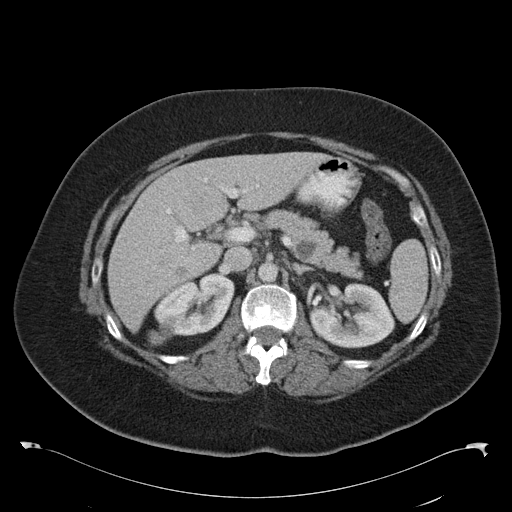
Abdominal CT with intravenous contrast, arterial phase, axial plane, 120 kVp, kernel B30f. Slice 68/97 from the bottom of the scan; thickness 5.00 mm; pixel size 0.824 mm.
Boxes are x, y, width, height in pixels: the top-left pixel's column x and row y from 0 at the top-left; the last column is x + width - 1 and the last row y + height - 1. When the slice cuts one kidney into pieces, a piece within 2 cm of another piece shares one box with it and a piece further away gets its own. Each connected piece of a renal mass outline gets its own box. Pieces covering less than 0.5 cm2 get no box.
Three boxes on this slice (two kidney boxes and one renal mass box), listed by box centre from the image's left to its right. (1) Right renal mass, box x 159, y 316, width 19, height 23 (outlined area 280 px, about 1.9 cm2). (2) Right kidney at x 154, y 273, width 81, height 63 (outlined area 3,430 px, about 23.3 cm2). (3) Box x 310, y 284, width 85, height 65: left kidney (outlined area 4,008 px, about 27.2 cm2).